Axial slice 155 of 349 of a contrast-enhanced abdominal CT in the arterial phase (slice 1 is the lowest), 120 kVp, kernel STANDARD; 1.25 mm slice thickness and 0.742 mm pixels.
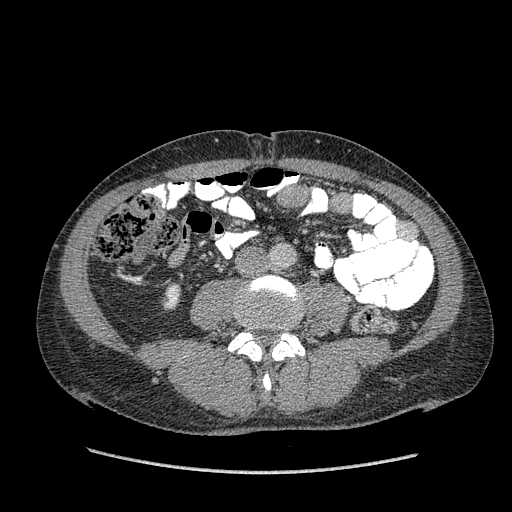
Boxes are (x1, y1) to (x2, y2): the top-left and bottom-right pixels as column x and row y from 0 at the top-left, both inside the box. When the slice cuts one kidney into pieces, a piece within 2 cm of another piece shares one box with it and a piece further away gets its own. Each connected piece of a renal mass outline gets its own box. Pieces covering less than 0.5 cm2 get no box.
Right kidney, box (162, 284) to (180, 309) (outlined area 380 px, about 2.1 cm2). No renal mass is outlined on this slice.